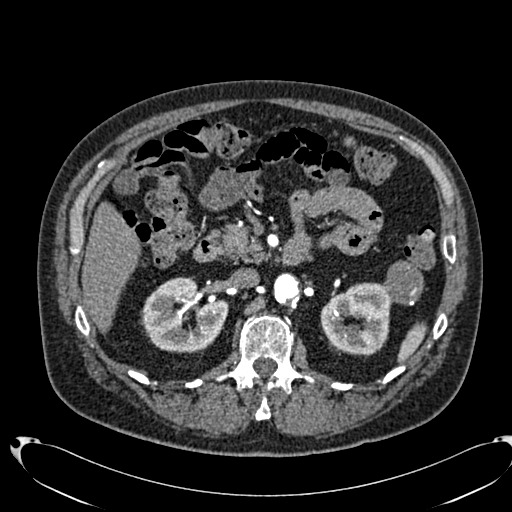
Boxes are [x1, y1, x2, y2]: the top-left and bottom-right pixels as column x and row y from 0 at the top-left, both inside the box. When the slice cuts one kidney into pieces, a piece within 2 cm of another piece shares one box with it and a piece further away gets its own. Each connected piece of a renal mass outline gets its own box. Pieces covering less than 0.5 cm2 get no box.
Arterial-phase contrast-enhanced abdominal CT, axial slice 443 of 553 (counted from the lowest slice); 1.00 mm thick, 0.773 mm per pixel. Two kidney boxes and one renal mass box on this slice; by box centre, from the image's left to its right: (1) Box [140, 277, 228, 353]: right kidney (outlined area 4,830 px, about 28.9 cm2). (2) Left kidney, box [320, 282, 391, 355] (outlined area 3,930 px, about 23.5 cm2). (3) Left renal mass, box [384, 260, 423, 305] (outlined area 1,411 px, about 8.4 cm2).
Tube voltage 120 kVp; convolution kernel B20f.